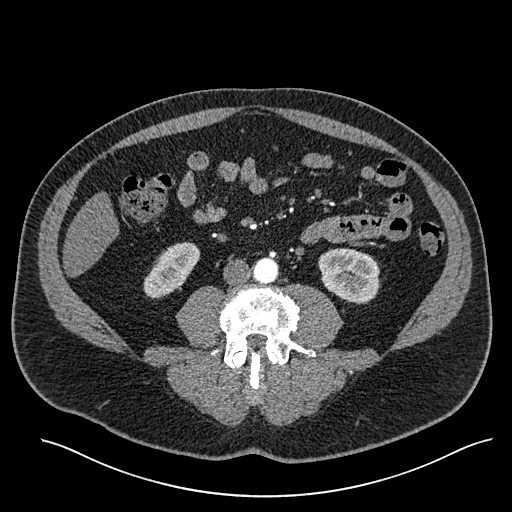
Arterial-phase contrast-enhanced abdominal CT, axial slice 215 of 527 (counted from the lowest slice); tube voltage 120 kVp, convolution kernel I30f; slices 1.00 mm thick, 0.859 mm per pixel.
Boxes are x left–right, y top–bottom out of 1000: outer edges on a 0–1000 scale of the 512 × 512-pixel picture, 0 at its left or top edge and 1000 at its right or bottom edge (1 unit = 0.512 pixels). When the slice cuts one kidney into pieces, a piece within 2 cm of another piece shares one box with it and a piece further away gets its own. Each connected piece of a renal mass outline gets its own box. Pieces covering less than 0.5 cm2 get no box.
Two kidney boxes on this slice; by box centre, from the image's left to its right: (1) Right kidney at x 279–391, y 473–582 out of 1000 (outlined area 1,987 px, about 14.7 cm2). (2) Box x 621–744, y 484–596 out of 1000: left kidney (outlined area 2,736 px, about 20.2 cm2). No renal mass is outlined on this slice.